Abdominal CT with intravenous contrast, axial plane, 100 kVp, kernel I41f. Slice 60/103 from the bottom of the scan; thickness 4.00 mm; pixel size 0.742 mm.
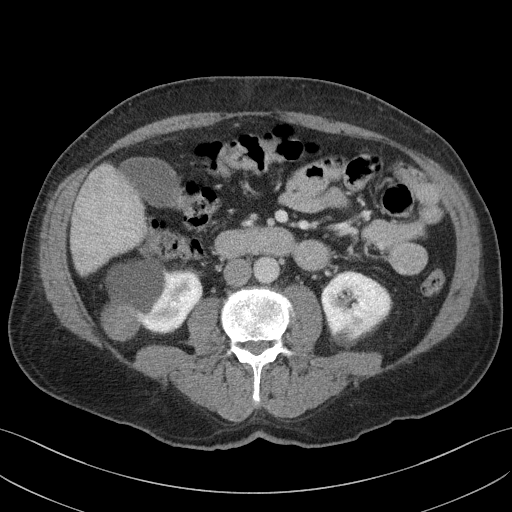
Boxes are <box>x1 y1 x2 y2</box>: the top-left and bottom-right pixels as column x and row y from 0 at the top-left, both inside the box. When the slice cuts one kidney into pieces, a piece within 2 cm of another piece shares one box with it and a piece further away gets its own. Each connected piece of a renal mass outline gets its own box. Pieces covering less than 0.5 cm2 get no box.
Boxed on this slice (two kidney boxes), listed by box centre from the image's left to its right: (1) Right kidney at <box>100 257 202 341</box> (outlined area 6,222 px, about 34.3 cm2). (2) Left kidney: <box>320 271 391 345</box> (outlined area 3,802 px, about 20.9 cm2). This slice carries no renal mass outline.